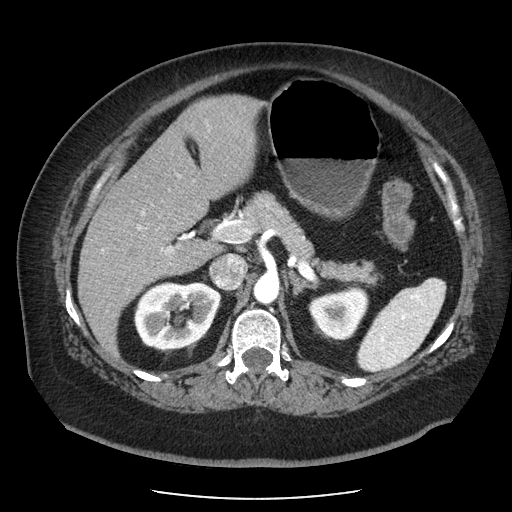
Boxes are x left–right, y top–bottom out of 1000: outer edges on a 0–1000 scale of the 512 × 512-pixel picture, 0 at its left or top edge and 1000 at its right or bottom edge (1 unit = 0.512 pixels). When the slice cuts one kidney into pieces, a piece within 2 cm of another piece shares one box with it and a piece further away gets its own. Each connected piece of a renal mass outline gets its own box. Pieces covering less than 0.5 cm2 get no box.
This is axial slice 138 of 186 (slice 1 is the lowest) of an arterial-phase abdominal CT with contrast; each pixel is 0.742 mm and the slice is 2.50 mm thick. Two kidney boxes on this slice; by box centre, from the image's left to its right: (1) Box x 260–434, y 549–684 out of 1000: right kidney (outlined area 4,725 px, about 26.0 cm2). (2) Left kidney, box x 602–721, y 559–664 out of 1000 (outlined area 2,399 px, about 13.2 cm2). No renal mass is outlined on this slice.
Acquired at 120 kVp and reconstructed with the STANDARD kernel.